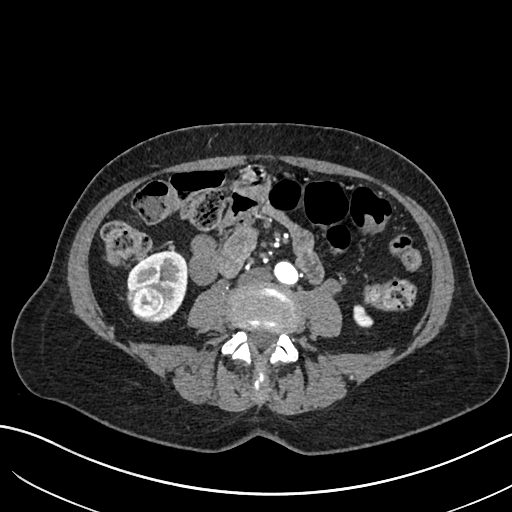
One axial slice (278 of 683, counting up from the lowest) of an arterial-phase abdominal CT acquired with 120 kVp, kernel I30f; each pixel is 0.738 mm and the slice is 1.00 mm thick.
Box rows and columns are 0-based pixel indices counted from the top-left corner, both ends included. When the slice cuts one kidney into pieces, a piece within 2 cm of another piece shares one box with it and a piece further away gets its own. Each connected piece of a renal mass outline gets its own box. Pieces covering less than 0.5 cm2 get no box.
Three boxes on this slice (two kidney boxes and one renal mass box), listed by box centre from the image's left to its right. (1) Box rows 284–321, columns 127–167: right renal mass (outlined area 1,195 px, about 6.5 cm2). (2) Box rows 250–321, columns 127–187: right kidney (outlined area 2,348 px, about 12.8 cm2). (3) Left kidney at rows 304–327, columns 353–373 (outlined area 341 px, about 1.9 cm2).